Contrast-enhanced abdominal CT, axial slice 605 of 834 (counted from the lowest slice); tube voltage 140 kVp, convolution kernel I30f; slices 1.00 mm thick, 0.977 mm per pixel.
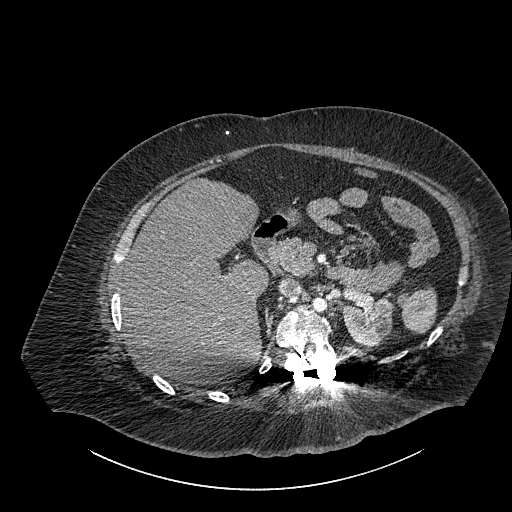
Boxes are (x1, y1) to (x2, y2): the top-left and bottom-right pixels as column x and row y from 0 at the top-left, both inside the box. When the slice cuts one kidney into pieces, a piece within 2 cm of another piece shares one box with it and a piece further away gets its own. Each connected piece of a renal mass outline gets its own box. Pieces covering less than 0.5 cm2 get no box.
Box (342, 296) to (391, 346): left part of the midline-crossing kidney (outlined area 1,959 px, about 18.7 cm2). This slice carries no renal mass outline.